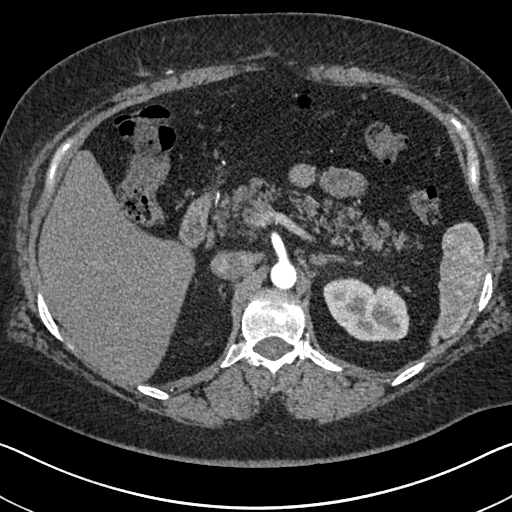
Arterial-phase contrast-enhanced abdominal CT, axial slice 475 of 591 (counted from the lowest slice); tube voltage 140 kVp, convolution kernel I30f; slices 1.00 mm thick, 0.703 mm per pixel.
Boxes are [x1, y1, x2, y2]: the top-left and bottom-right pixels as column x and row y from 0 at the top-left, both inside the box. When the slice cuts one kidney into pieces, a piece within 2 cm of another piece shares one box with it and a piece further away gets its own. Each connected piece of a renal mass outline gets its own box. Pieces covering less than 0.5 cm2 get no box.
Box [323, 277, 409, 341]: left kidney (outlined area 4,219 px, about 20.9 cm2). This slice carries no renal mass outline.